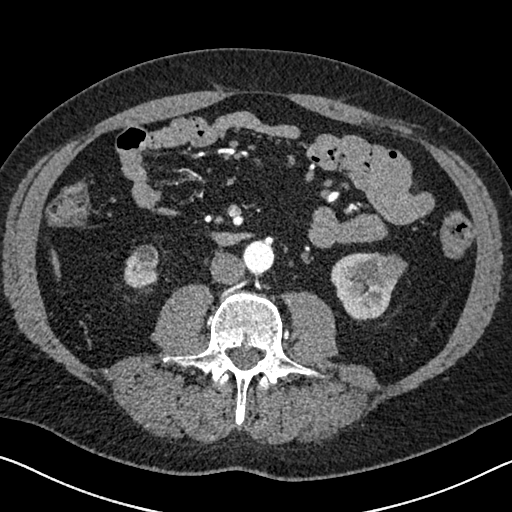
Axial slice 305 of 626 of a contrast-enhanced abdominal CT in the arterial phase (slice 1 is the lowest), 120 kVp, kernel I30f; 1.00 mm slice thickness and 0.703 mm pixels.
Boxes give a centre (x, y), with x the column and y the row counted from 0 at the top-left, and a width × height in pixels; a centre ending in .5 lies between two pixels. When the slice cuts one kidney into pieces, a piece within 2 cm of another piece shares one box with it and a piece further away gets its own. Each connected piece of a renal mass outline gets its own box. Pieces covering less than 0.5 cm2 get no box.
Three boxes on this slice (two kidney boxes and one renal mass box), listed by box centre from the image's left to its right. (1) Box centre (141, 267.5), 35 × 46 pixels: right kidney (outlined area 1,238 px, about 6.1 cm2). (2) Left kidney in a box with centre (363.5, 285.5), 68 × 68 pixels (outlined area 2,497 px, about 12.3 cm2). (3) Left renal mass in a box with centre (381.5, 268.5), 52 × 34 pixels (outlined area 1,215 px, about 6.0 cm2).